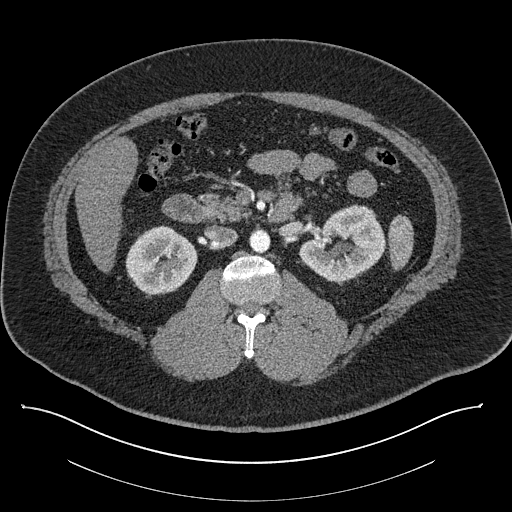
Contrast-enhanced abdominal CT, axial slice 497 of 787 (counted from the lowest slice); tube voltage 140 kVp, convolution kernel I30f; slices 1.00 mm thick, 0.910 mm per pixel.
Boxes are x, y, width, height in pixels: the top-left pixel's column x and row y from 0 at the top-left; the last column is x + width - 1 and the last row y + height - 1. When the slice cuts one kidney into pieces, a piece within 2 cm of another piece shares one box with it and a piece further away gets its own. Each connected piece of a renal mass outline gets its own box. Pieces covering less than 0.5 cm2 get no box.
Two boxes on this slice (two kidney boxes), listed by box centre from the image's left to its right. (1) Right kidney, box x 125, y 225, width 73, height 71 (outlined area 3,774 px, about 31.3 cm2). (2) Left kidney at x 299, y 204, width 88, height 79 (outlined area 4,627 px, about 38.3 cm2). This slice carries no renal mass outline.